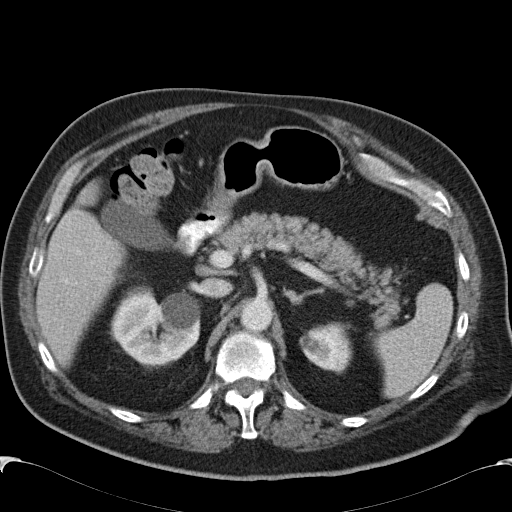
Axial slice 79 of 99 of a contrast-enhanced abdominal CT (slice 1 is the lowest), 120 kVp, kernel B31f; 5.00 mm slice thickness and 0.742 mm pixels.
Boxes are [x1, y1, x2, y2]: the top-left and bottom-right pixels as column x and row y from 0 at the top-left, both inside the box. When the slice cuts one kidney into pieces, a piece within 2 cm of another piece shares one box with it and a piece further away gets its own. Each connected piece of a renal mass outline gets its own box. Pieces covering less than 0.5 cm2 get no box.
Two kidney boxes on this slice; by box centre, from the image's left to its right: (1) Right kidney at [111, 287, 200, 365] (outlined area 5,310 px, about 29.2 cm2). (2) Left kidney at [299, 322, 352, 373] (outlined area 1,999 px, about 11.0 cm2). No renal mass is outlined on this slice.